Abdominal CT with intravenous contrast, arterial phase, axial plane, 140 kVp, kernel I30f. Slice 288/591 from the bottom of the scan; thickness 1.00 mm; pixel size 0.703 mm.
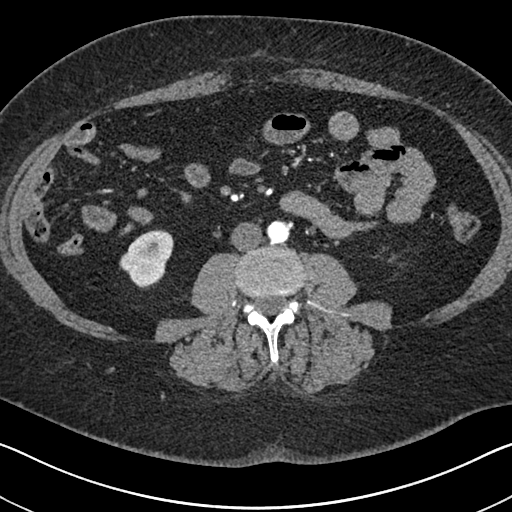
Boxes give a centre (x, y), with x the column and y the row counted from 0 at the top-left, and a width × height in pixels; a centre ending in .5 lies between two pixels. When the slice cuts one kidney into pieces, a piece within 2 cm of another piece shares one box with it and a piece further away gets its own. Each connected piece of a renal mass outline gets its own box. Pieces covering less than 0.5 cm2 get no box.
Right kidney, box centre (146, 258.5), 55 × 60 pixels (outlined area 2,205 px, about 10.9 cm2). This slice carries no renal mass outline.